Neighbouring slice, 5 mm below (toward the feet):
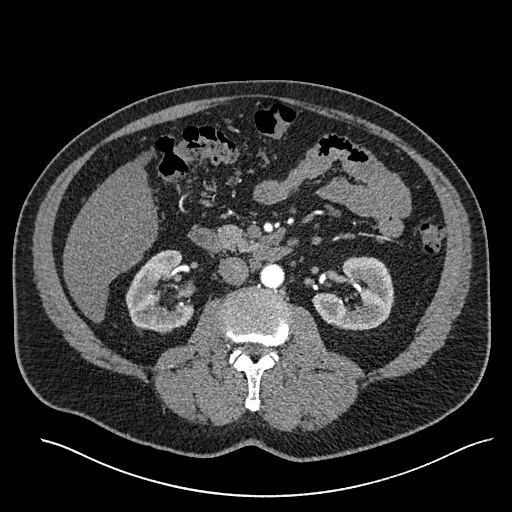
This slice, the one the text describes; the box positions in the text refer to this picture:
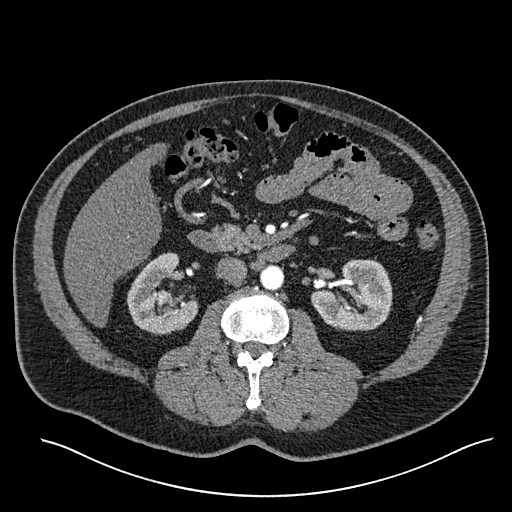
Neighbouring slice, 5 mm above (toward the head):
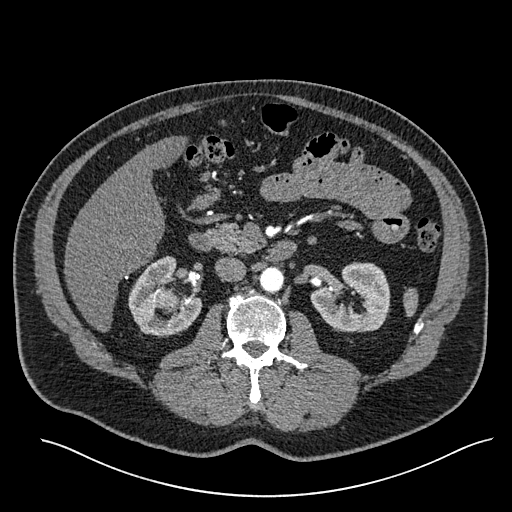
Axial slice 319 of 527 of a contrast-enhanced abdominal CT in the arterial phase (slice 1 is the lowest), 120 kVp, kernel I30f; 1.00 mm slice thickness and 0.859 mm pixels.
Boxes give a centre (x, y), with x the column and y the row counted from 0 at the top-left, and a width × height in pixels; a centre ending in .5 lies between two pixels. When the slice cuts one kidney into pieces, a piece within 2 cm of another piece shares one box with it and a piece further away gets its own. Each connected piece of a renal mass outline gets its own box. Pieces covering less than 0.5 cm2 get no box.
Three boxes on this slice (two kidney boxes and one renal mass box), listed by box centre from the image's left to its right. (1) Box centre (162, 293.5), 73 × 84 pixels: right kidney (outlined area 3,700 px, about 27.3 cm2). (2) Box centre (164, 296), 15 × 15 pixels: right renal mass (outlined area 180 px, about 1.3 cm2). (3) Box centre (351.5, 295), 82 × 73 pixels: left kidney (outlined area 4,339 px, about 32.0 cm2). This slice lies near the end of the right renal mass toward the feet; the slices 5 mm below and 5 mm above it are shown too, and the boxes mark positions on this slice only.